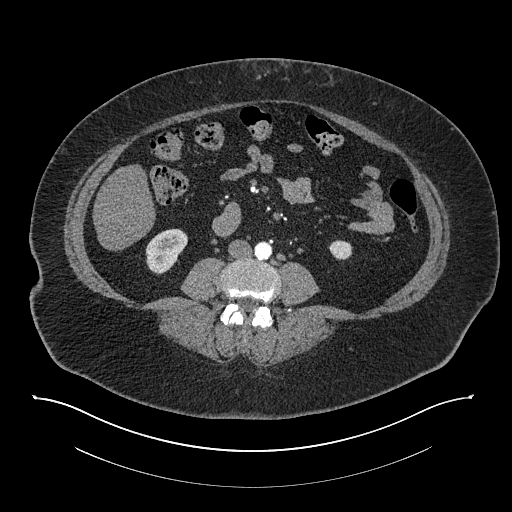
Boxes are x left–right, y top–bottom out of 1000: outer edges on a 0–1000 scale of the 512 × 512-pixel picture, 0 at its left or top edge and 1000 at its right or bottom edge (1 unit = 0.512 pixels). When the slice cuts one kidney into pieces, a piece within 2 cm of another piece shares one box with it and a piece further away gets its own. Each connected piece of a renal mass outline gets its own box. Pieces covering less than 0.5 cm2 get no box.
This is axial slice 347 of 673 (slice 1 is the lowest) of an arterial-phase abdominal CT with contrast; each pixel is 0.957 mm and the slice is 1.00 mm thick. Two boxes on this slice (two kidney boxes), listed by box centre from the image's left to its right. (1) Box x 283–367, y 445–537 out of 1000: right kidney (outlined area 1,378 px, about 12.6 cm2). (2) Box x 641–689, y 469–508 out of 1000: left kidney (outlined area 381 px, about 3.5 cm2). No renal mass outline on this slice.
Acquired at 140 kVp and reconstructed with the I30f kernel.